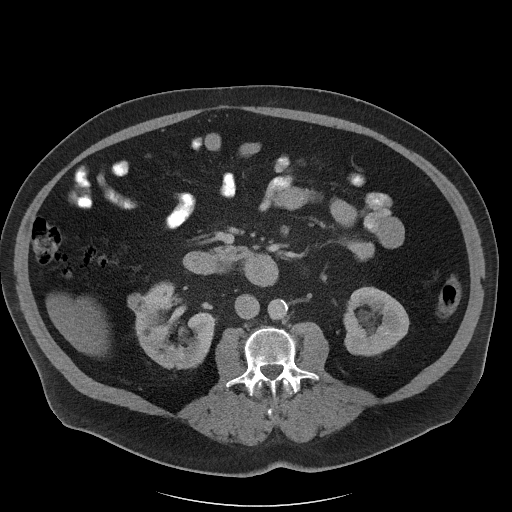
One axial slice (58 of 102, counting up from the lowest) of a contrast-enhanced abdominal CT acquired with 120 kVp, kernel I40f; each pixel is 0.977 mm and the slice is 5.00 mm thick.
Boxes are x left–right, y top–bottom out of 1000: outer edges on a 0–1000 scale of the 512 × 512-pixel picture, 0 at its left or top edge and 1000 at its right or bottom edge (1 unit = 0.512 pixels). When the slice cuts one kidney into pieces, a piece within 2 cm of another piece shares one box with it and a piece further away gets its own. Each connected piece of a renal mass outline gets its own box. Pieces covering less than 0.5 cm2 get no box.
Boxed on this slice (two kidney boxes), listed by box centre from the image's left to its right: (1) Right kidney at x 248–424, y 549–723 out of 1000 (outlined area 4,834 px, about 46.1 cm2). (2) Box x 670–801, y 561–697 out of 1000: left kidney (outlined area 3,440 px, about 32.8 cm2). No renal mass is outlined on this slice.